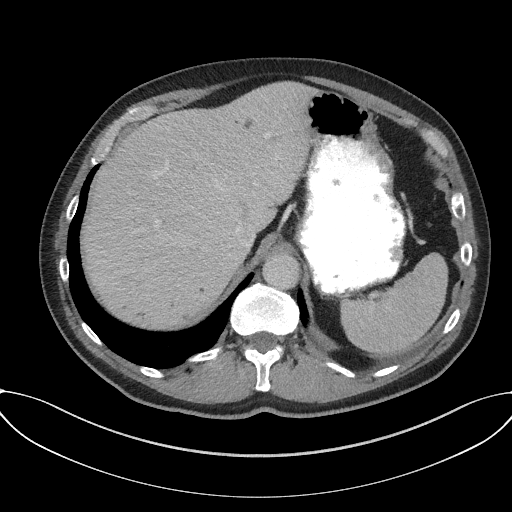
Axial slice 119 of 227 of a contrast-enhanced abdominal CT in the arterial phase (slice 1 is the lowest), 120 kVp, kernel I31f; 3.00 mm slice thickness and 0.816 mm pixels.
Neither a kidney nor a renal mass is outlined here. Only kidneys and renal masses are outlined anywhere in this scan; other structures are never outlined.